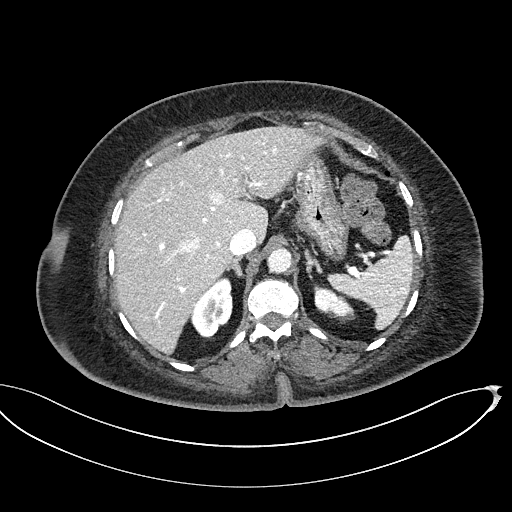
Axial slice 360 of 439 of a contrast-enhanced abdominal CT (slice 1 is the lowest), 100 kVp, kernel I40f; 2.00 mm slice thickness and 0.850 mm pixels.
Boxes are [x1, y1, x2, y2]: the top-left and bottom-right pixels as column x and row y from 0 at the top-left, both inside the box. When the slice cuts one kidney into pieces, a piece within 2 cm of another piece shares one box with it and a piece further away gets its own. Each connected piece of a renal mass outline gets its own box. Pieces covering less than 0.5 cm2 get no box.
Boxed on this slice (two kidney boxes), listed by box centre from the image's left to its right: (1) Box [191, 277, 232, 338]: right kidney (outlined area 1,734 px, about 12.5 cm2). (2) Left kidney at [313, 284, 355, 322] (outlined area 963 px, about 7.0 cm2). This slice carries no renal mass outline.